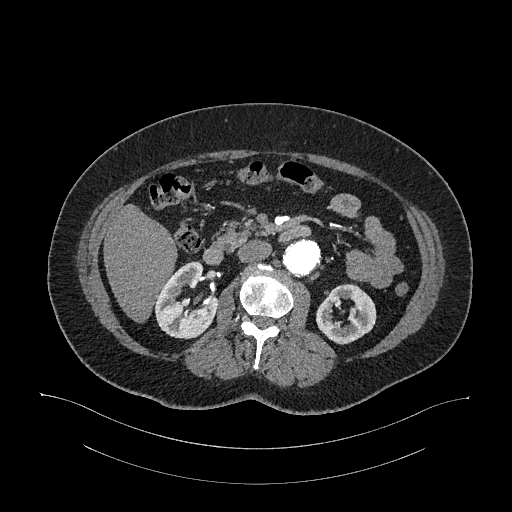
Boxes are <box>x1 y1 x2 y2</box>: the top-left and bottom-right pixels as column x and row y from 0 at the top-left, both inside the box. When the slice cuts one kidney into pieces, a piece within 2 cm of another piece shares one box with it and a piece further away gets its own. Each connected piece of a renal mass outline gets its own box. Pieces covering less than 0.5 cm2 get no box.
This is axial slice 639 of 987 (slice 1 is the lowest) of an arterial-phase abdominal CT with contrast; each pixel is 0.977 mm and the slice is 1.00 mm thick. Two kidney boxes on this slice; by box centre, from the image's left to its right: (1) At <box>155 261 218 339</box>: right kidney (outlined area 3,282 px, about 31.3 cm2). (2) Left kidney: <box>316 283 376 344</box> (outlined area 2,489 px, about 23.7 cm2). No renal mass is outlined on this slice.
Scan settings: 120 kVp, I26f reconstruction kernel.